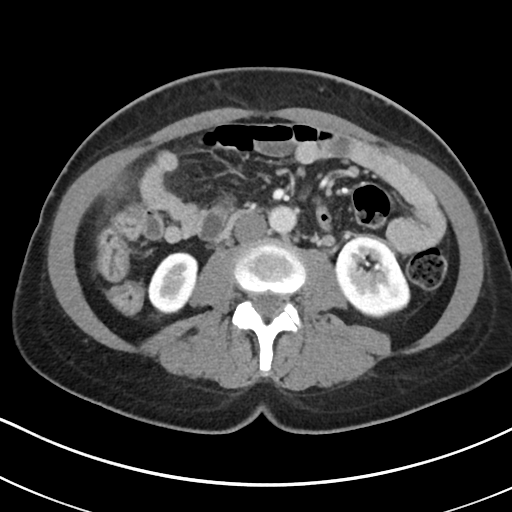
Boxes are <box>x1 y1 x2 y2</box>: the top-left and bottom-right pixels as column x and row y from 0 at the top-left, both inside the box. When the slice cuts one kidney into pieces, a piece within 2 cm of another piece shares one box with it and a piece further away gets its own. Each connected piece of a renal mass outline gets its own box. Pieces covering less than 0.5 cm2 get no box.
Slice 99/178 of a contrast-enhanced abdominal CT, counting up from the lowest; pixel size 0.650 mm, slice thickness 5.00 mm. Boxed on this slice (two kidney boxes), listed by box centre from the image's left to its right: (1) Right kidney at <box>147 251 198 314</box> (outlined area 2,373 px, about 10.0 cm2). (2) At <box>335 235 410 318</box>: left kidney (outlined area 4,651 px, about 19.7 cm2). No renal mass outline on this slice.
Scan settings: 100 kVp, I30f reconstruction kernel.